Contrast-enhanced abdominal CT, axial slice 183 of 274 (counted from the lowest slice); tube voltage 120 kVp, convolution kernel B31f; slices 2.00 mm thick, 0.977 mm per pixel.
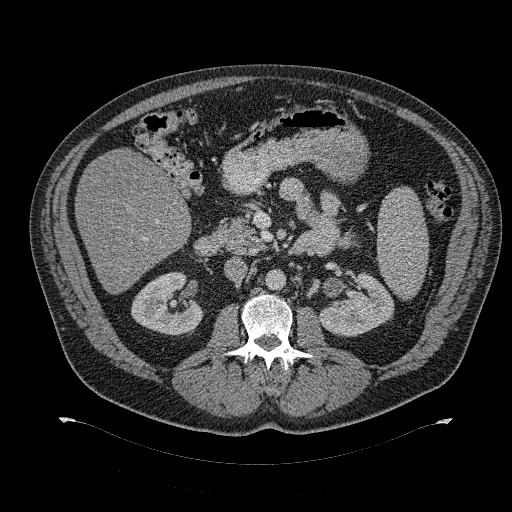
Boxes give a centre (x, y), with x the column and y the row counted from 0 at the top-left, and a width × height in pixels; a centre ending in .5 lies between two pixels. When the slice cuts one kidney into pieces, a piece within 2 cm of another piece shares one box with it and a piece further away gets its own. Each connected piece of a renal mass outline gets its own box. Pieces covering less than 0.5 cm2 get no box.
Two kidney boxes on this slice; by box centre, from the image's left to its right: (1) Right kidney in a box with centre (167.5, 303), 74 × 65 pixels (outlined area 3,304 px, about 31.5 cm2). (2) Left kidney in a box with centre (356.5, 303.5), 76 × 66 pixels (outlined area 3,170 px, about 30.2 cm2). This slice carries no renal mass outline.